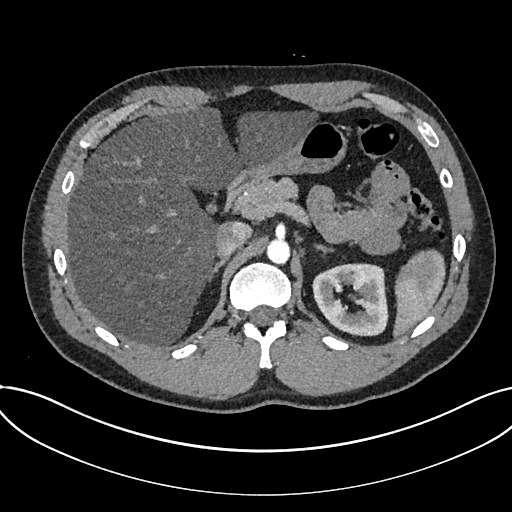
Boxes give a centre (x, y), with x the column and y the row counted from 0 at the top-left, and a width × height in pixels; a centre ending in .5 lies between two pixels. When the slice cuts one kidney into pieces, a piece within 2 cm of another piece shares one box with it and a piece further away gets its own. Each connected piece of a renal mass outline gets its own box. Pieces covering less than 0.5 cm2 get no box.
Arterial-phase contrast-enhanced abdominal CT, axial slice 516 of 735 (counted from the lowest slice); 1.00 mm thick, 0.789 mm per pixel. Kidney in a box with centre (350, 299.5), 77 × 74 pixels (outlined area 4,273 px, about 26.6 cm2). No renal mass is outlined on this slice.
Tube voltage 120 kVp; convolution kernel I30f.